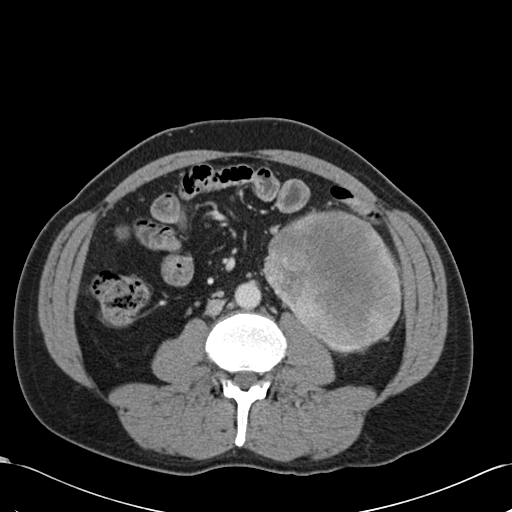
Arterial-phase contrast-enhanced abdominal CT, axial slice 54 of 99 (counted from the lowest slice); tube voltage 120 kVp, convolution kernel B30f; slices 5.00 mm thick, 0.693 mm per pixel.
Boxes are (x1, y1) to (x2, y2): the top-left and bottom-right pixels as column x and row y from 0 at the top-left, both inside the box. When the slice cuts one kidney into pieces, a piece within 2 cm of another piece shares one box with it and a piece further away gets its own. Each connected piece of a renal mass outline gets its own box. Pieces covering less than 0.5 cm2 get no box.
Left renal mass, box (263, 209) to (402, 355) (outlined area 14,544 px, about 69.9 cm2); no kidney outline appears on this slice, but the same outlined renal mass comes within 1 cm of the kidney on another slice.